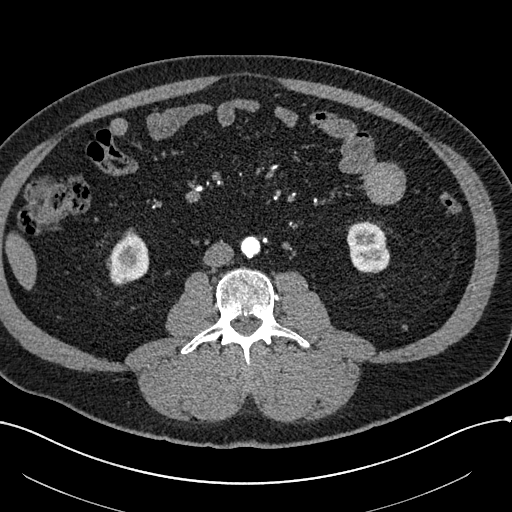
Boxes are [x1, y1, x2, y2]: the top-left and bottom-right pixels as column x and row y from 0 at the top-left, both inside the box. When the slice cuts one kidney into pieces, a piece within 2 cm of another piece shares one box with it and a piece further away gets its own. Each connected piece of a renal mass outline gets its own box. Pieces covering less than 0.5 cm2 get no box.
Arterial-phase contrast-enhanced abdominal CT, axial slice 225 of 602 (counted from the lowest slice); 1.00 mm thick, 0.799 mm per pixel. Boxed on this slice (two kidney boxes and one renal mass box), listed by box centre from the image's left to its right: (1) Right renal mass, box [106, 255, 114, 270] (outlined area 104 px, about 0.7 cm2). (2) Right kidney, box [109, 230, 149, 285] (outlined area 1,596 px, about 10.2 cm2). (3) Box [347, 221, 390, 273]: left kidney (outlined area 1,802 px, about 11.5 cm2).
Tube voltage 120 kVp; convolution kernel I30f.